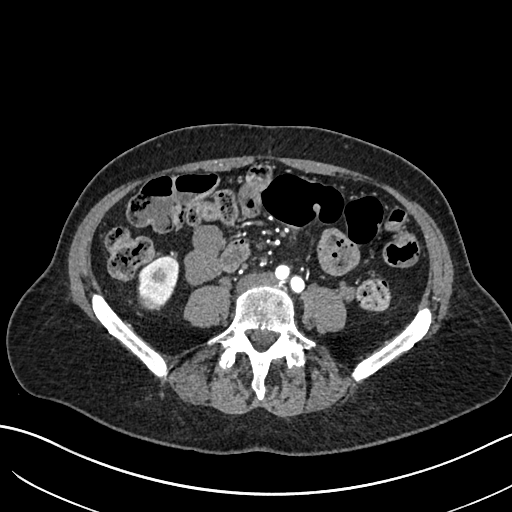
One axial slice (254 of 683, counting up from the lowest) of an arterial-phase abdominal CT acquired with 120 kVp, kernel I30f; each pixel is 0.738 mm and the slice is 1.00 mm thick.
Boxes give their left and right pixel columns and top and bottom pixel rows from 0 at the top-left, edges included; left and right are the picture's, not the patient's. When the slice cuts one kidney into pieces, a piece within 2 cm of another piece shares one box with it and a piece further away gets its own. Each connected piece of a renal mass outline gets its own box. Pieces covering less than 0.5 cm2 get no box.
Boxed on this slice (one kidney box and one renal mass box), listed by box centre from the image's left to its right: (1) Right renal mass in the box with left 138, top 284, right 164, bottom 309 (outlined area 563 px, about 3.1 cm2). (2) Right kidney in the box with left 137, top 255, right 179, bottom 303 (outlined area 1,178 px, about 6.4 cm2).